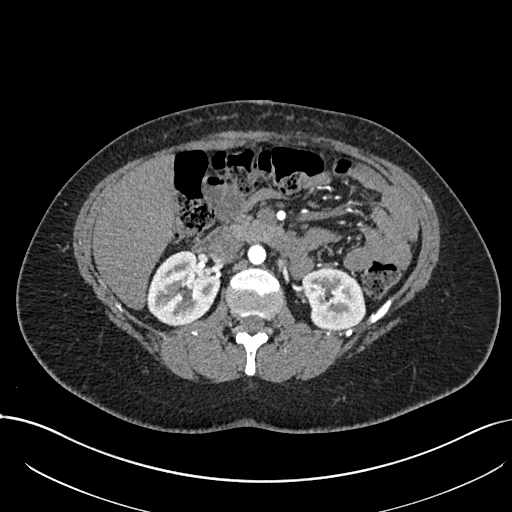
Abdominal CT with intravenous contrast, arterial phase, axial plane, 120 kVp, kernel I30f. Slice 433/738 from the bottom of the scan; thickness 1.00 mm; pixel size 0.789 mm.
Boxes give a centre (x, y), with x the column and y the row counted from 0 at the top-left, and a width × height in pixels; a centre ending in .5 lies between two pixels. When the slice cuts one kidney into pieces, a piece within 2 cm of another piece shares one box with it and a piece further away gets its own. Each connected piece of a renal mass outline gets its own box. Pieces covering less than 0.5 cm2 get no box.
Boxed on this slice (two kidney boxes), listed by box centre from the image's left to its right: (1) Right kidney, box centre (183, 287.5), 75 × 76 pixels (outlined area 4,092 px, about 25.5 cm2). (2) Left kidney, box centre (333.5, 298), 64 × 63 pixels (outlined area 3,120 px, about 19.4 cm2). No renal mass outline on this slice.